Axial slice 273 of 433 of a contrast-enhanced abdominal CT (slice 1 is the lowest), 120 kVp, kernel B30f; 1.00 mm slice thickness and 0.672 mm pixels.
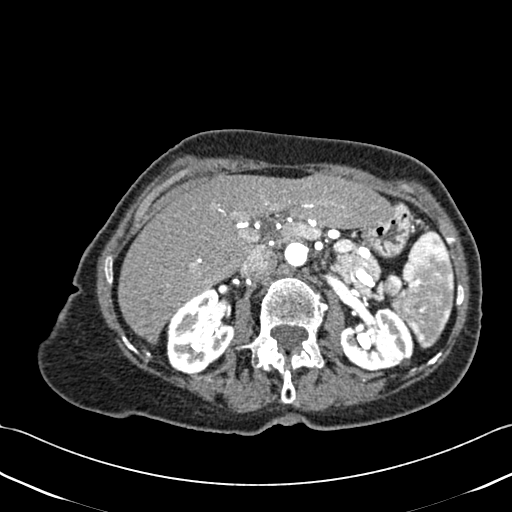
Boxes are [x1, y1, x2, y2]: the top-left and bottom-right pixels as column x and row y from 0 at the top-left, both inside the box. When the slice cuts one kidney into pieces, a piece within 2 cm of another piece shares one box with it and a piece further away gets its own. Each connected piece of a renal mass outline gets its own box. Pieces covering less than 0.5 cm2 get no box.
Boxed on this slice (two kidney boxes), listed by box centre from the image's left to its right: (1) Right kidney, box [166, 289, 234, 373] (outlined area 4,162 px, about 18.8 cm2). (2) Left kidney, box [340, 308, 413, 371] (outlined area 3,514 px, about 15.9 cm2). No renal mass outline on this slice.